Axial slice 70 of 146 of a contrast-enhanced abdominal CT (slice 1 is the lowest), 120 kVp, kernel B31f; 5.00 mm slice thickness and 0.742 mm pixels.
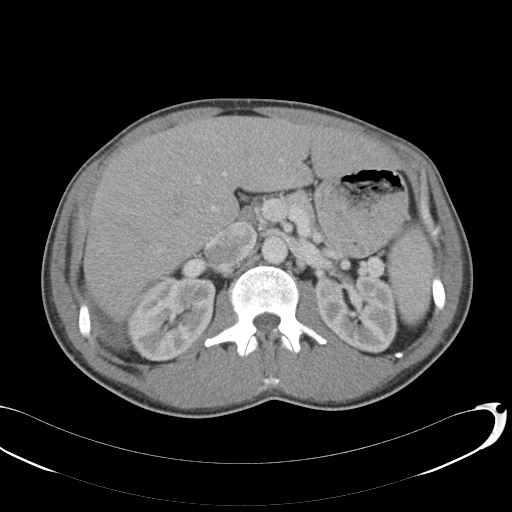
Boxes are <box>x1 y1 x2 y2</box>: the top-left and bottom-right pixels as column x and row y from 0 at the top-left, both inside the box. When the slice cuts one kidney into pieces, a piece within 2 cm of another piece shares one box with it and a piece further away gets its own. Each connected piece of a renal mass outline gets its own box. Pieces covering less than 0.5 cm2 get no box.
Two boxes on this slice (two kidney boxes), listed by box centre from the image's left to its right. (1) At <box>126 276 215 361</box>: right kidney (outlined area 5,849 px, about 32.2 cm2). (2) At <box>315 275 397 353</box>: left kidney (outlined area 5,112 px, about 28.2 cm2). No renal mass is outlined on this slice.